One axial slice (379 of 735, counting up from the lowest) of an arterial-phase abdominal CT acquired with 120 kVp, kernel I30f; each pixel is 0.789 mm and the slice is 1.00 mm thick.
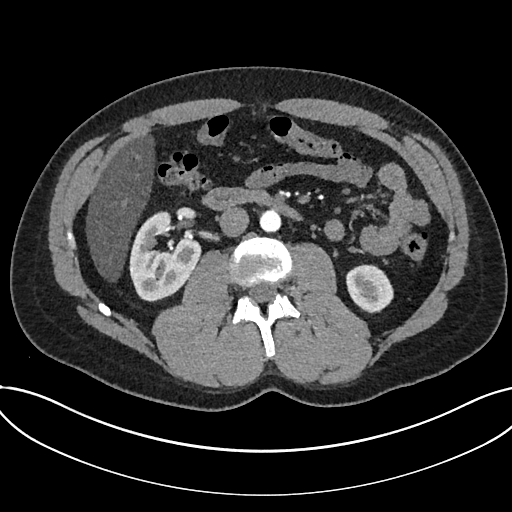
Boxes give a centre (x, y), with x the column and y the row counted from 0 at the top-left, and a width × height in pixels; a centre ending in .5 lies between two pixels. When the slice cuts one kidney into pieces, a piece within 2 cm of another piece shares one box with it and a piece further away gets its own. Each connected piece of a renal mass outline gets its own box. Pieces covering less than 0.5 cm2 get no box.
Two kidney boxes on this slice; by box centre, from the image's left to its right: (1) Box centre (164.5, 256), 72 × 91 pixels: kidney (outlined area 4,386 px, about 27.3 cm2). (2) Box centre (369.5, 288.5), 48 × 50 pixels: kidney (outlined area 1,784 px, about 11.1 cm2). No renal mass is outlined on this slice.